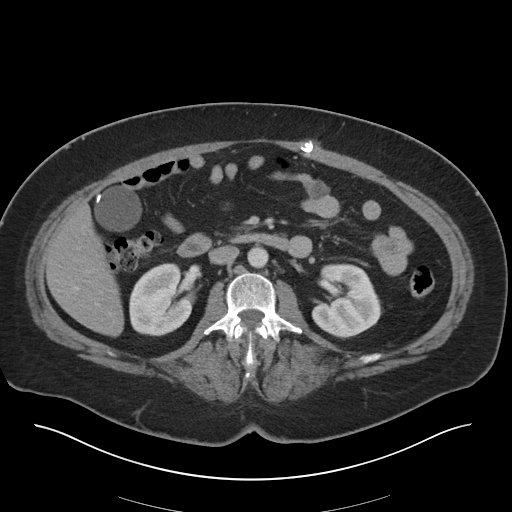
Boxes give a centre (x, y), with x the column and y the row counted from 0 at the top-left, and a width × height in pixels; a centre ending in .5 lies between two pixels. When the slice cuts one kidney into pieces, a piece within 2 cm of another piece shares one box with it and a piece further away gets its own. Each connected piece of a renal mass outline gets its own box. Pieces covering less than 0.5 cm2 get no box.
This is axial slice 16 of 36 (slice 1 is the lowest) of an arterial-phase abdominal CT with contrast; each pixel is 0.906 mm and the slice is 5.00 mm thick. Boxed on this slice (two kidney boxes), listed by box centre from the image's left to its right: (1) Right kidney in a box with centre (161, 299.5), 65 × 74 pixels (outlined area 3,619 px, about 29.7 cm2). (2) Left kidney, box centre (346, 300.5), 71 × 76 pixels (outlined area 3,954 px, about 32.5 cm2). This slice carries no renal mass outline.
Scan settings: 140 kVp, I30f reconstruction kernel.